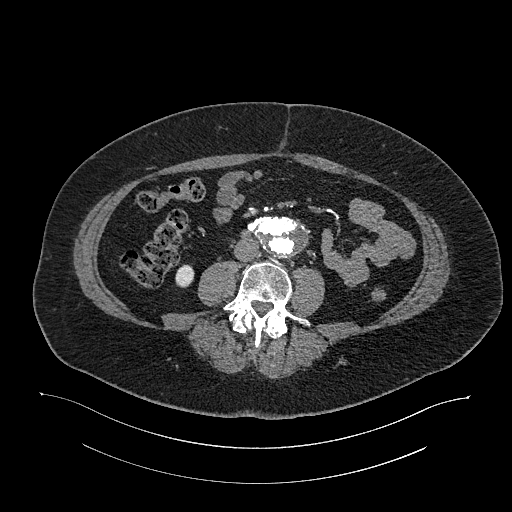
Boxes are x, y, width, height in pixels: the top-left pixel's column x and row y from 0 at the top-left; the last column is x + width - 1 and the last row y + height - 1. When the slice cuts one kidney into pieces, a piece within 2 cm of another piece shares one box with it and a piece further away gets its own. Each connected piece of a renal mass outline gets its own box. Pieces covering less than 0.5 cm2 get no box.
Arterial-phase contrast-enhanced abdominal CT, axial slice 529 of 987 (counted from the lowest slice); 1.00 mm thick, 0.977 mm per pixel. Right kidney at x 175, y 264, width 20, height 24 (outlined area 362 px, about 3.5 cm2). No renal mass is outlined on this slice.
Scan settings: 120 kVp, I26f reconstruction kernel.